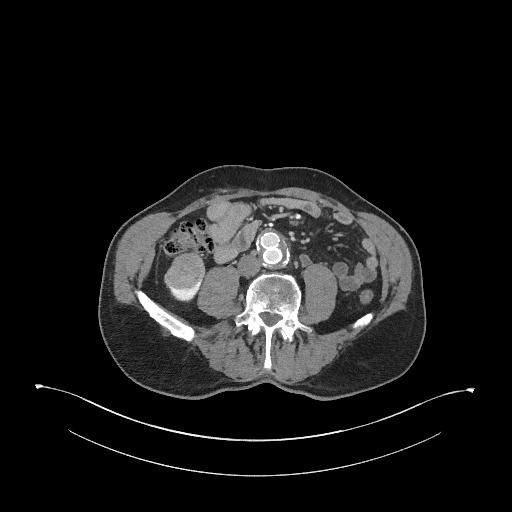
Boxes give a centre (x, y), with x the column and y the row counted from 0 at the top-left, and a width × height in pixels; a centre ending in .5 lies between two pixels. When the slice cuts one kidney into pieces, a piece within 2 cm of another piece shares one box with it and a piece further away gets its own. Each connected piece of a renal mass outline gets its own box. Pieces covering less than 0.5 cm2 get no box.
Arterial-phase contrast-enhanced abdominal CT, axial slice 120 of 345 (counted from the lowest slice); 2.00 mm thick, 0.977 mm per pixel. One kidney box and one renal mass box on this slice; by box centre, from the image's left to its right: (1) Box centre (184.5, 269.5), 42 × 40 pixels: right renal mass (outlined area 1,215 px, about 11.6 cm2). (2) Right kidney, box centre (184.5, 290), 38 × 25 pixels (outlined area 379 px, about 3.6 cm2).
Scan settings: 120 kVp, I31f reconstruction kernel.